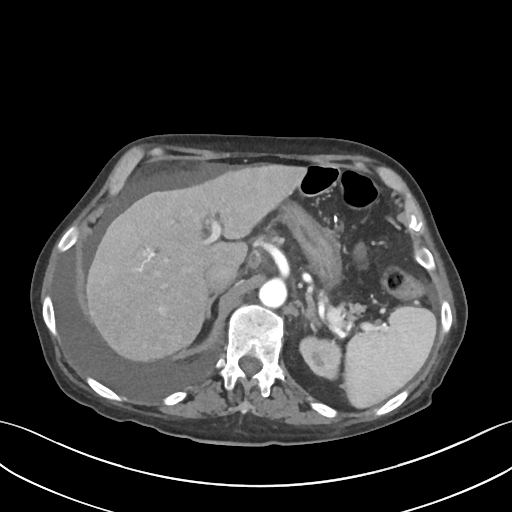
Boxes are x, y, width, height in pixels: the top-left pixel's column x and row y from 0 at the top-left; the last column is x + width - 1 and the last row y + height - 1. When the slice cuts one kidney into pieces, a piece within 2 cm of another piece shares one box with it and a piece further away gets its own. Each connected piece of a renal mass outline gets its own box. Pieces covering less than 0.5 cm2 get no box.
This is axial slice 66 of 109 (slice 1 is the lowest) of an abdominal CT with contrast; each pixel is 0.742 mm and the slice is 3.00 mm thick. Left kidney, box x 298, y 333, width 44, height 49 (outlined area 1,551 px, about 8.5 cm2). No renal mass outline on this slice.
Scan settings: 120 kVp, I30f reconstruction kernel.